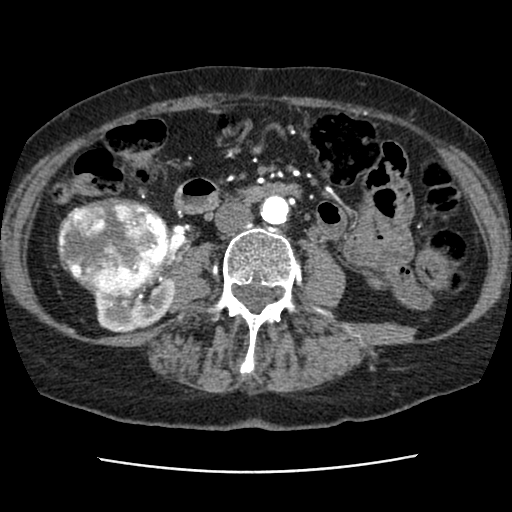
Abdominal CT with intravenous contrast, axial plane, 120 kVp, kernel STANDARD. Slice 32/76 from the bottom of the scan; thickness 2.50 mm; pixel size 0.586 mm.
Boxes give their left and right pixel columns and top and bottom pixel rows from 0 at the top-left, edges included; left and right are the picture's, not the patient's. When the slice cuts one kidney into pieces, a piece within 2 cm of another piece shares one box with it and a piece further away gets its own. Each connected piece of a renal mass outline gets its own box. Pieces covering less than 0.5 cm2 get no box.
Two kidney boxes and one renal mass box on this slice; by box centre, from the image's left to its right: (1) Right renal mass, the box with left 57, top 197, right 169, bottom 300 (outlined area 9,024 px, about 31.0 cm2). (2) Right kidney, the box with left 94, top 256, right 174, bottom 332 (outlined area 2,735 px, about 9.4 cm2). (3) Left kidney, the box with left 361, top 268, right 390, bottom 289 (outlined area 346 px, about 1.2 cm2).